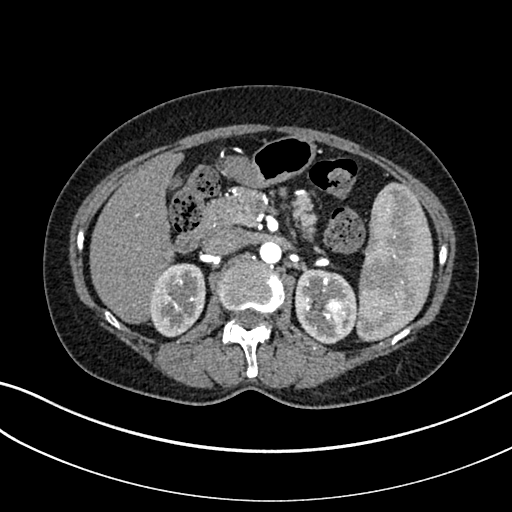
Axial slice 197 of 325 of a contrast-enhanced abdominal CT in the arterial phase (slice 1 is the lowest), 100 kVp, kernel I30f; 1.00 mm slice thickness and 0.703 mm pixels.
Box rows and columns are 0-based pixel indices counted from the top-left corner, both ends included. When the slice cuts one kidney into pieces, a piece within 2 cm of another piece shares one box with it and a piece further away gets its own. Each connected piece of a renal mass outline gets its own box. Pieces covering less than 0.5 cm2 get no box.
Three boxes on this slice (two kidney boxes and one renal mass box), listed by box centre from the image's left to its right. (1) Right kidney at rows 263–337, columns 149–205 (outlined area 3,332 px, about 16.5 cm2). (2) Box rows 269–344, columns 295–357: left kidney (outlined area 3,238 px, about 16.0 cm2). (3) Left renal mass at rows 298–325, columns 321–345 (outlined area 537 px, about 2.7 cm2).